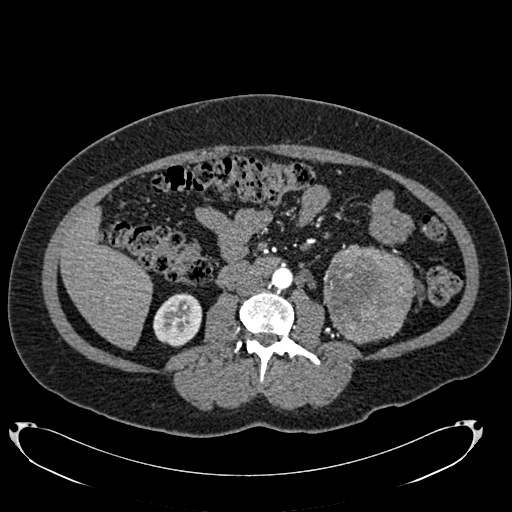
Arterial-phase contrast-enhanced abdominal CT, axial slice 357 of 634 (counted from the lowest slice); tube voltage 120 kVp, convolution kernel B20f; slices 1.00 mm thick, 0.838 mm per pixel.
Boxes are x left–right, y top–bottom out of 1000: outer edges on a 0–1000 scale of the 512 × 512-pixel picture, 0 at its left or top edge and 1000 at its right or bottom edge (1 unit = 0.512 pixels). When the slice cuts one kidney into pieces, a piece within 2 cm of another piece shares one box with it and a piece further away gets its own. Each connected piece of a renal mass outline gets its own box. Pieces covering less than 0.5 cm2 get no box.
Two boxes on this slice (one kidney box and one renal mass box), listed by box centre from the image's left to its right. (1) Right kidney, box x 299–396, y 572–678 out of 1000 (outlined area 2,030 px, about 14.3 cm2). (2) Left renal mass at x 631–809, y 477–674 out of 1000 (outlined area 7,107 px, about 49.9 cm2); on this slice it lies more than 1 cm from any kidney outline, but the same outlined renal mass comes within 1 cm of the kidney on another slice.